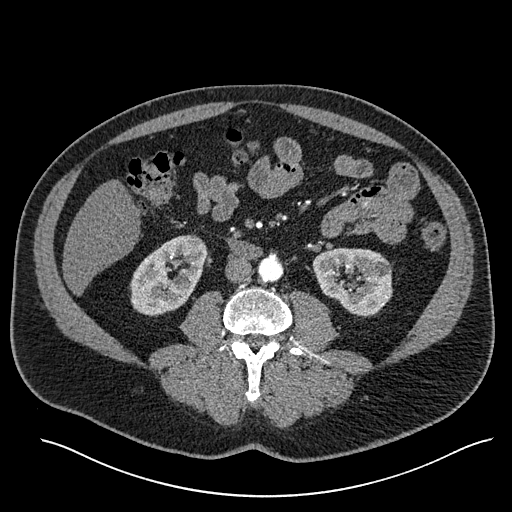
Abdominal CT with intravenous contrast, arterial phase, axial plane, 120 kVp, kernel I30f. Slice 252/527 from the bottom of the scan; thickness 1.00 mm; pixel size 0.859 mm.
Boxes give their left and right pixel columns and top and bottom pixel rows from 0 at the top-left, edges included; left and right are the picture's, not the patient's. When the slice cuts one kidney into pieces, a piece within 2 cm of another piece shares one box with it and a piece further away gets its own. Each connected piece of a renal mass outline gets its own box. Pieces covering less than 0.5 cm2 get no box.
Boxed on this slice (two kidney boxes), listed by box centre from the image's left to its right: (1) Right kidney, the box with left 130, top 234, right 206, bottom 315 (outlined area 4,339 px, about 32.0 cm2). (2) Box with left 312, top 247, right 392, bottom 315: left kidney (outlined area 4,140 px, about 30.6 cm2). No renal mass is outlined on this slice.